One axial slice (43 of 77, counting up from the lowest) of an arterial-phase abdominal CT acquired with 100 kVp, kernel B41f; each pixel is 0.809 mm and the slice is 3.00 mm thick.
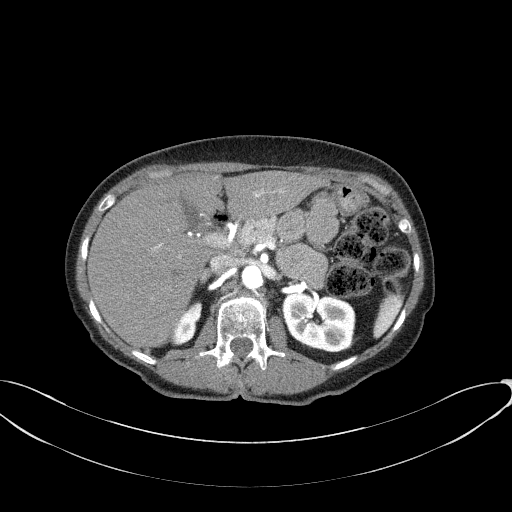
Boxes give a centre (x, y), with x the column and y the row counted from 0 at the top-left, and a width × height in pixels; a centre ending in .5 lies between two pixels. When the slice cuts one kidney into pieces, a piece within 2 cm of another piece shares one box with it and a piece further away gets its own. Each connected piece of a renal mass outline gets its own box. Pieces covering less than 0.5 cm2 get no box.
Two kidney boxes on this slice; by box centre, from the image's left to its right: (1) Right kidney, box centre (186, 323), 31 × 45 pixels (outlined area 852 px, about 5.6 cm2). (2) Left kidney in a box with centre (318, 322), 75 × 61 pixels (outlined area 3,587 px, about 23.5 cm2). This slice carries no renal mass outline.